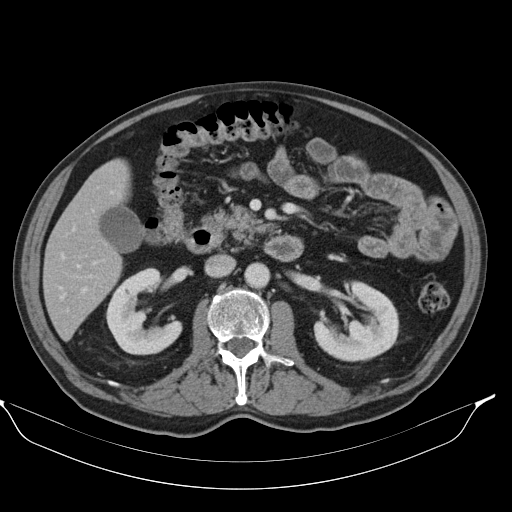
One axial slice (57 of 98, counting up from the lowest) of a contrast-enhanced abdominal CT acquired with 130 kVp, kernel B30s; each pixel is 0.840 mm and the slice is 5.00 mm thick.
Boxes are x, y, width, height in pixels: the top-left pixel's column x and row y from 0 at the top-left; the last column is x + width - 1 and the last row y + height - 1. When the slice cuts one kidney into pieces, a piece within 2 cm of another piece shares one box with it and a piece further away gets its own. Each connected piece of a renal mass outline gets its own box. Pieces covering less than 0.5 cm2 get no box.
Boxed on this slice (two kidney boxes), listed by box centre from the image's left to its right: (1) Box x 105, y 267, width 78, height 89: right kidney (outlined area 4,068 px, about 28.7 cm2). (2) Box x 313, y 280, width 87, height 82: left kidney (outlined area 4,689 px, about 33.1 cm2). No renal mass outline on this slice.